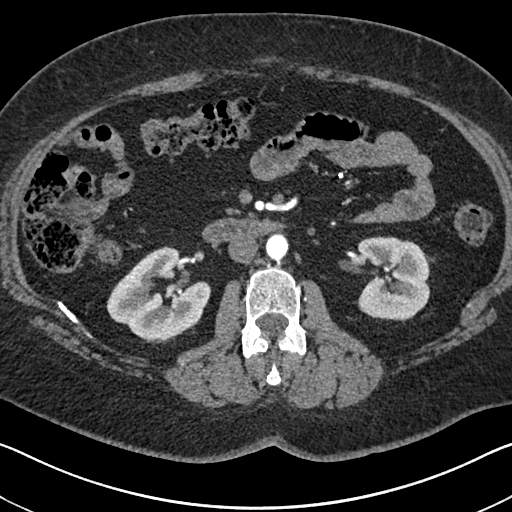
Arterial-phase contrast-enhanced abdominal CT, axial slice 379 of 591 (counted from the lowest slice); tube voltage 140 kVp, convolution kernel I30f; slices 1.00 mm thick, 0.703 mm per pixel.
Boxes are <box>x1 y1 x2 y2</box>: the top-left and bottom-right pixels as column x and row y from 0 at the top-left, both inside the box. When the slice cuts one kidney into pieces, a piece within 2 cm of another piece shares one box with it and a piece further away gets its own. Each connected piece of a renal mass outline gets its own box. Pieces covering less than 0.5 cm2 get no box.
Two kidney boxes on this slice; by box centre, from the image's left to its right: (1) At <box>106 246 211 338</box>: right kidney (outlined area 6,255 px, about 30.9 cm2). (2) Left kidney at <box>356 236 429 321</box> (outlined area 5,095 px, about 25.2 cm2). No renal mass is outlined on this slice.